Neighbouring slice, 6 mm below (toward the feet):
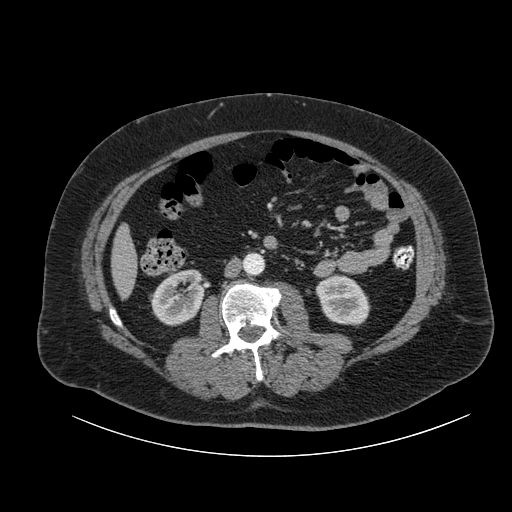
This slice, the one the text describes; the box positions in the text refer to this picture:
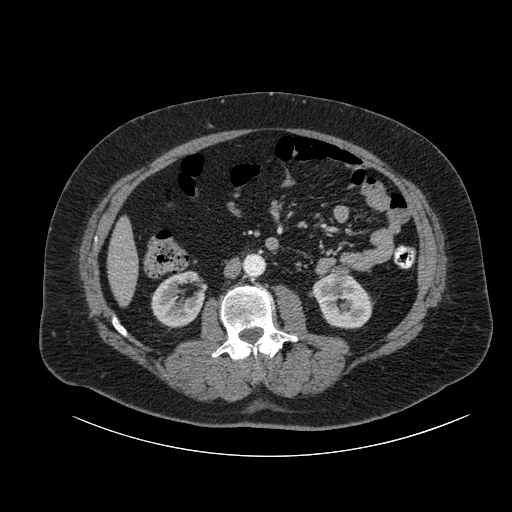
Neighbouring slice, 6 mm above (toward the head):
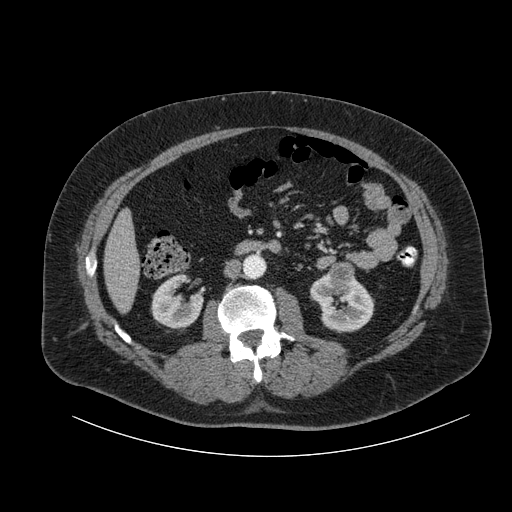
Contrast-enhanced abdominal CT, axial slice 38 of 105 (counted from the lowest slice); tube voltage 120 kVp, convolution kernel B; slices 3.00 mm thick, 0.977 mm per pixel.
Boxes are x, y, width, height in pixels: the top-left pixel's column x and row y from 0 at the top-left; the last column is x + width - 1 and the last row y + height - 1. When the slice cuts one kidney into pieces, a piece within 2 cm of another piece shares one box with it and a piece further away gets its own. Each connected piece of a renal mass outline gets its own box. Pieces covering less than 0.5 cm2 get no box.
Two kidney boxes and one renal mass box on this slice; by box centre, from the image's left to its right: (1) Right kidney at x 151, y 271, width 55, height 57 (outlined area 2,240 px, about 21.4 cm2). (2) Left renal mass at x 332, y 265, width 19, height 14 (outlined area 217 px, about 2.1 cm2). (3) Left kidney, box x 312, y 273, width 61, height 56 (outlined area 2,408 px, about 23.0 cm2). This slice lies near the end of the left renal mass toward the feet; the slices 6 mm below and 6 mm above it are shown too, and the boxes mark positions on this slice only.